Axial slice 348 of 673 of a contrast-enhanced abdominal CT in the arterial phase (slice 1 is the lowest), 140 kVp, kernel I30f; 1.00 mm slice thickness and 0.957 mm pixels.
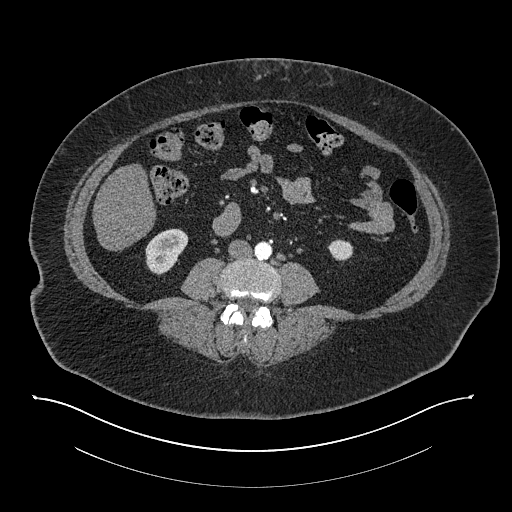
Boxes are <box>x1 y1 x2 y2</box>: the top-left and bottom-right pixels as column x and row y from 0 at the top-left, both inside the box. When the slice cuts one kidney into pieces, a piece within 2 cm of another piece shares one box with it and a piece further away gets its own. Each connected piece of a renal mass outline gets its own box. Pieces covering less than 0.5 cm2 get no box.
Boxed on this slice (two kidney boxes), listed by box centre from the image's left to its right: (1) Right kidney: <box>145 228 188 275</box> (outlined area 1,412 px, about 12.9 cm2). (2) Left kidney: <box>328 239 352 261</box> (outlined area 431 px, about 3.9 cm2). This slice carries no renal mass outline.